Arterial-phase contrast-enhanced abdominal CT, axial slice 149 of 316 (counted from the lowest slice); tube voltage 100 kVp, convolution kernel I40f; slices 2.00 mm thick, 0.840 mm per pixel.
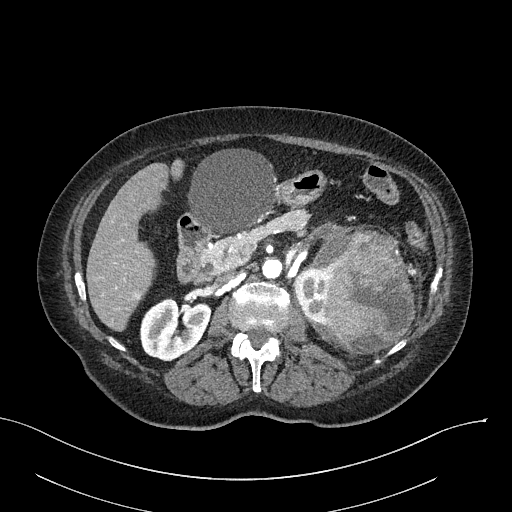
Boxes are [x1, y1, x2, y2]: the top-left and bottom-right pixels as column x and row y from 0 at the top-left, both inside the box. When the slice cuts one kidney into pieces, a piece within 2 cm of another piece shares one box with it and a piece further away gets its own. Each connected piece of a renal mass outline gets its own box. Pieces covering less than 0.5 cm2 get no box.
Boxed on this slice (two kidney boxes and one renal mass box), listed by box centre from the image's left to its right: (1) Right kidney at [140, 298, 211, 361] (outlined area 3,367 px, about 23.7 cm2). (2) Box [294, 269, 328, 324]: left kidney (outlined area 1,440 px, about 10.2 cm2). (3) Box [304, 223, 415, 354]: left renal mass (outlined area 10,127 px, about 71.4 cm2).